Arterial-phase contrast-enhanced abdominal CT, axial slice 370 of 591 (counted from the lowest slice); tube voltage 140 kVp, convolution kernel I30f; slices 1.00 mm thick, 0.703 mm per pixel.
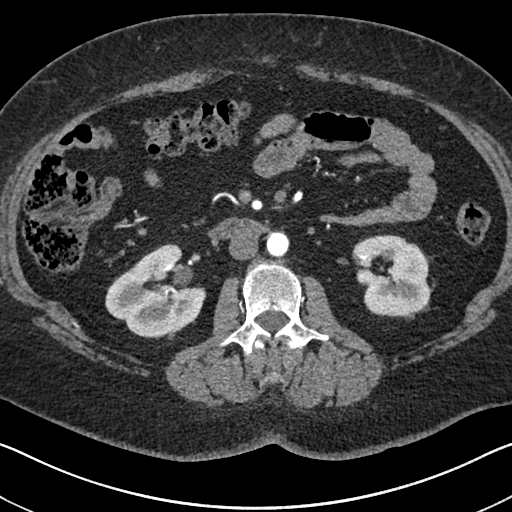
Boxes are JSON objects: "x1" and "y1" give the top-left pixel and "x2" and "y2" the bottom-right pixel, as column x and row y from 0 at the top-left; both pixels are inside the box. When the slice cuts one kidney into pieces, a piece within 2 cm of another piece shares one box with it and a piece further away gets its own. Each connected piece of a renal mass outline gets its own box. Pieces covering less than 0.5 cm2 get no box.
Two boxes on this slice (two kidney boxes), listed by box centre from the image's left to its right. (1) Right kidney at {"x1": 105, "y1": 243, "x2": 206, "y2": 339} (outlined area 6,319 px, about 31.2 cm2). (2) Left kidney at {"x1": 352, "y1": 234, "x2": 430, "y2": 316} (outlined area 4,883 px, about 24.1 cm2). This slice carries no renal mass outline.